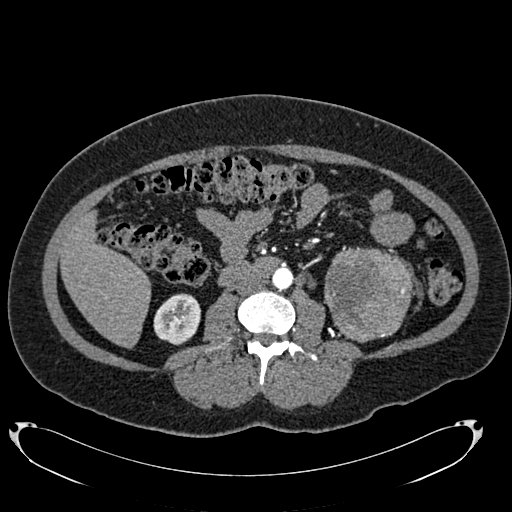
Axial slice 353 of 634 of a contrast-enhanced abdominal CT in the arterial phase (slice 1 is the lowest), 120 kVp, kernel B20f; 1.00 mm slice thickness and 0.838 mm pixels.
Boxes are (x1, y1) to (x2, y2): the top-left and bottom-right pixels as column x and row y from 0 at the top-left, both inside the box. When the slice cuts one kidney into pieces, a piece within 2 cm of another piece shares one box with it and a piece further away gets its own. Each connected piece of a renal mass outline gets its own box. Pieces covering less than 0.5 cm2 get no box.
Boxed on this slice (one kidney box and one renal mass box), listed by box centre from the image's left to its right: (1) Right kidney, box (153, 293) to (200, 345) (outlined area 1,890 px, about 13.3 cm2). (2) Left renal mass, box (324, 248) to (414, 342) (outlined area 6,735 px, about 47.3 cm2); it sits over 1 cm from every kidney outline on this slice, but the same outlined renal mass comes within 1 cm of the kidney on another slice.